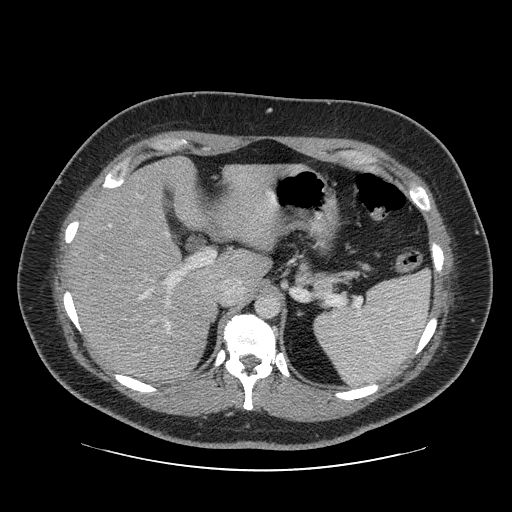
Arterial-phase contrast-enhanced abdominal CT, axial slice 67 of 69 (counted from the lowest slice); tube voltage 120 kVp, convolution kernel STANDARD; slices 2.50 mm thick, 0.846 mm per pixel.
This slice carries no outline: it lies beyond the outlined kidneys and beyond every outlined renal mass. Other organs are not outlined in this scan.